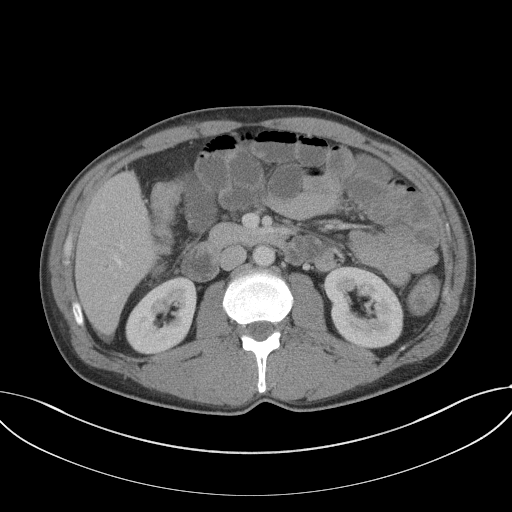
One axial slice (63 of 102, counting up from the lowest) of a contrast-enhanced abdominal CT acquired with 120 kVp, kernel B41f; each pixel is 0.807 mm and the slice is 5.00 mm thick.
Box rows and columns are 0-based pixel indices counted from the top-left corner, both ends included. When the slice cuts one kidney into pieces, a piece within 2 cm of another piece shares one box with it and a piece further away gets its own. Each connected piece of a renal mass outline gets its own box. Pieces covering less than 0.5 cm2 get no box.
Two boxes on this slice (two kidney boxes), listed by box centre from the image's left to its right. (1) Box rows 276–355, columns 125–197: right kidney (outlined area 4,071 px, about 26.5 cm2). (2) Box rows 265–349, columns 323–403: left kidney (outlined area 4,871 px, about 31.7 cm2). No renal mass outline on this slice.